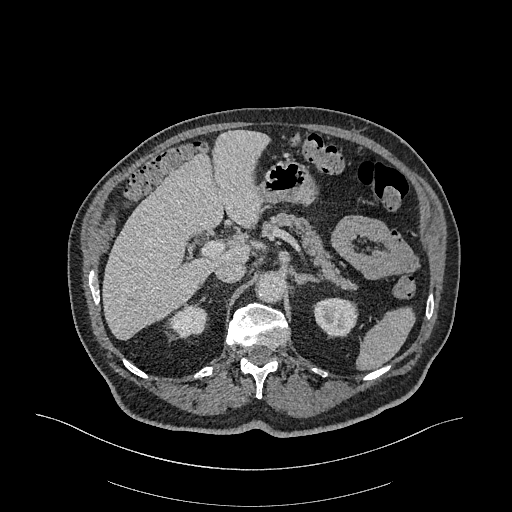
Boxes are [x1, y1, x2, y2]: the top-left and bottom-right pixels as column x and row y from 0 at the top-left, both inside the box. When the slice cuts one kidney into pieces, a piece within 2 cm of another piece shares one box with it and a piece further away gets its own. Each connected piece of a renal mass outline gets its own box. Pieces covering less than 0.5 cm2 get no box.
Arterial-phase contrast-enhanced abdominal CT, axial slice 240 of 470 (counted from the lowest slice); 1.00 mm thick, 0.938 mm per pixel. Two kidney boxes on this slice; by box centre, from the image's left to its right: (1) Right kidney, box [169, 302, 208, 338] (outlined area 1,008 px, about 8.9 cm2). (2) Left kidney, box [313, 297, 358, 335] (outlined area 1,404 px, about 12.3 cm2). No renal mass outline on this slice.
Acquired at 120 kVp and reconstructed with the I26f kernel.